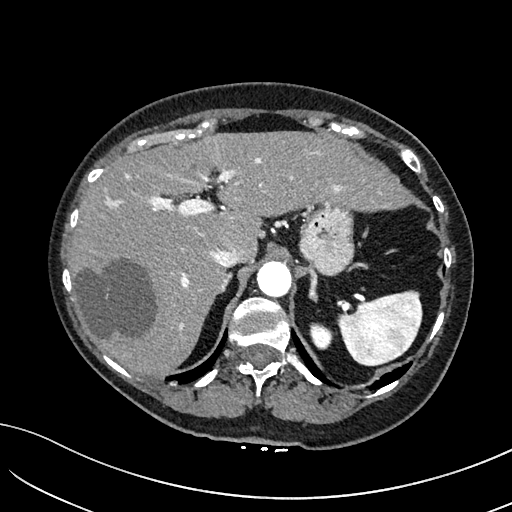
Arterial-phase contrast-enhanced abdominal CT, axial slice 135 of 234 (counted from the lowest slice); tube voltage 100 kVp, convolution kernel I40f; slices 2.00 mm thick, 0.699 mm per pixel.
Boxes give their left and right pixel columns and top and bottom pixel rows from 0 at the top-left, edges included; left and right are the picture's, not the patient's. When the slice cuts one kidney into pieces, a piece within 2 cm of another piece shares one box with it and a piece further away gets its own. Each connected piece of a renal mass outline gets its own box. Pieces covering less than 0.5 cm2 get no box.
Box with left 309, top 323, right 331, bottom 349: left kidney (outlined area 477 px, about 2.3 cm2). This slice carries no renal mass outline.